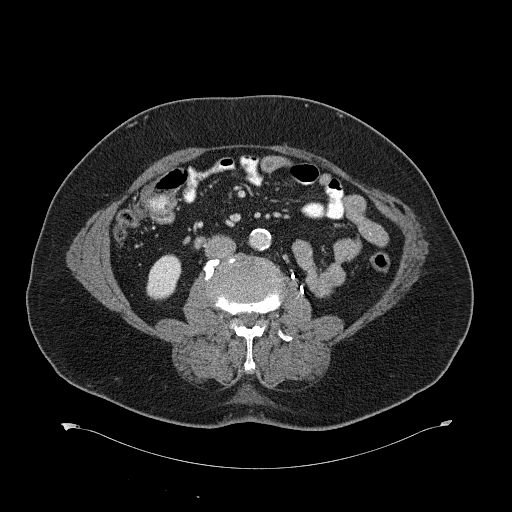
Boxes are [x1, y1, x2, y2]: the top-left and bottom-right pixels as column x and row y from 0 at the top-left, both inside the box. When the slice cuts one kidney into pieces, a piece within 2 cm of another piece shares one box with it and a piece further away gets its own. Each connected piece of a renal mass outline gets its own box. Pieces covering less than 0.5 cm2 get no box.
Slice 312/734 of a contrast-enhanced abdominal CT, counting up from the lowest; pixel size 0.971 mm, slice thickness 2.00 mm. Right kidney, box [146, 254, 181, 300] (outlined area 1,235 px, about 11.6 cm2). No renal mass outline on this slice.
Tube voltage 120 kVp; convolution kernel B31f.